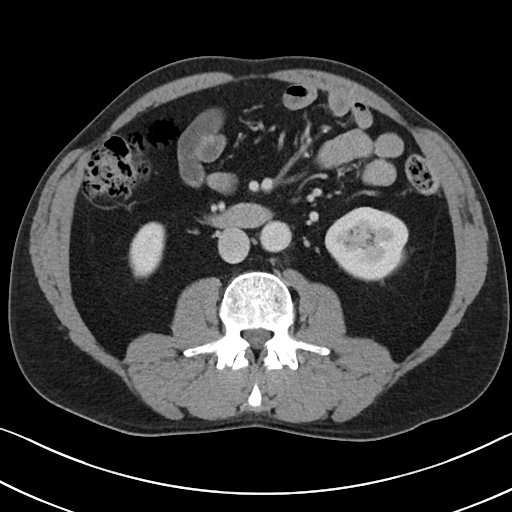
One axial slice (57 of 101, counting up from the lowest) of a contrast-enhanced abdominal CT acquired with 100 kVp, kernel I40f; each pixel is 0.684 mm and the slice is 5.00 mm thick.
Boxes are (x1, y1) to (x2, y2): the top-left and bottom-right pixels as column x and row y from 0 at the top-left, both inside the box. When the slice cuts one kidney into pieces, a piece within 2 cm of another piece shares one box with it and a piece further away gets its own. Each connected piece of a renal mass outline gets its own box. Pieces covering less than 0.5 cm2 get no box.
Two boxes on this slice (two kidney boxes), listed by box centre from the image's left to its right. (1) Box (129, 222) to (165, 277): right kidney (outlined area 1,583 px, about 7.4 cm2). (2) Left kidney from (325, 207) to (408, 281) (outlined area 4,597 px, about 21.5 cm2). No renal mass outline on this slice.